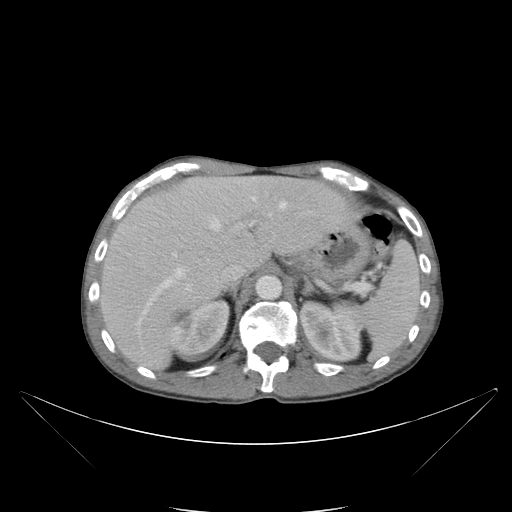
Contrast-enhanced abdominal CT, axial slice 71 of 88 (counted from the lowest slice); tube voltage 120 kVp, convolution kernel B; slices 5.00 mm thick, 0.865 mm per pixel.
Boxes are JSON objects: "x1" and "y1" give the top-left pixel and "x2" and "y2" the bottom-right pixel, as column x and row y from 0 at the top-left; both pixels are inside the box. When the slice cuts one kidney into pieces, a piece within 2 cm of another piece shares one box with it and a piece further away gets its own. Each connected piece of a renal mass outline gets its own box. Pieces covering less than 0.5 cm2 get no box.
Two boxes on this slice (two kidney boxes), listed by box centre from the image's left to its right. (1) Box {"x1": 169, "y1": 296, "x2": 230, "y2": 355}: right kidney (outlined area 2,504 px, about 18.7 cm2). (2) Left kidney at {"x1": 299, "y1": 300, "x2": 363, "y2": 362} (outlined area 3,248 px, about 24.3 cm2). This slice carries no renal mass outline.